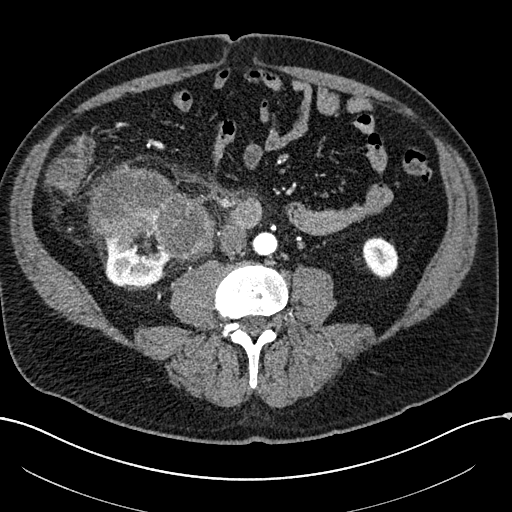
One axial slice (50 of 304, counting up from the lowest) of an arterial-phase abdominal CT acquired with 100 kVp, kernel I30f; each pixel is 0.809 mm and the slice is 2.00 mm thick.
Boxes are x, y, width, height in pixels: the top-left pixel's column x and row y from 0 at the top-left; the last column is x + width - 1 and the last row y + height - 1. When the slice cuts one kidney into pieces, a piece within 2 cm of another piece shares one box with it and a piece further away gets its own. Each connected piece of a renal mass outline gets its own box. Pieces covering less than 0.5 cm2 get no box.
Two kidney boxes and one renal mass box on this slice; by box centre, from the image's left to its right: (1) Right kidney, box x 104, y 232, width 70, height 55 (outlined area 2,649 px, about 17.3 cm2). (2) Box x 87, y 164, width 130, height 99: right renal mass (outlined area 8,002 px, about 52.3 cm2). (3) Left kidney at x 362, y 237, width 37, height 43 (outlined area 1,168 px, about 7.6 cm2).